Abdominal CT with intravenous contrast, arterial phase, axial plane, 120 kVp, kernel B20f. Slice 418/719 from the bottom of the scan; thickness 1.00 mm; pixel size 0.766 mm.
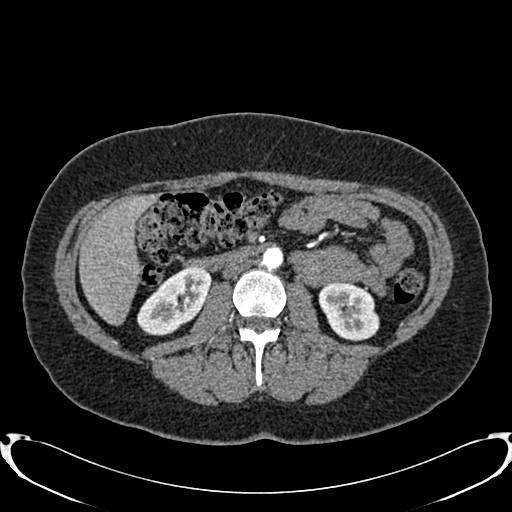
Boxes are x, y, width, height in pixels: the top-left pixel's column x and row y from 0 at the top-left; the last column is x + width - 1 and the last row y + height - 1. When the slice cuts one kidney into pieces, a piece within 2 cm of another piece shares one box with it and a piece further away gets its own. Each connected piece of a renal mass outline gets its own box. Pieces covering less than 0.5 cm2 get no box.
Two kidney boxes on this slice; by box centre, from the image's left to its right: (1) Box x 136, y 266, width 76, height 70: right kidney (outlined area 3,318 px, about 19.4 cm2). (2) Box x 318, y 283, width 62, height 58: left kidney (outlined area 2,699 px, about 15.8 cm2). No renal mass is outlined on this slice.